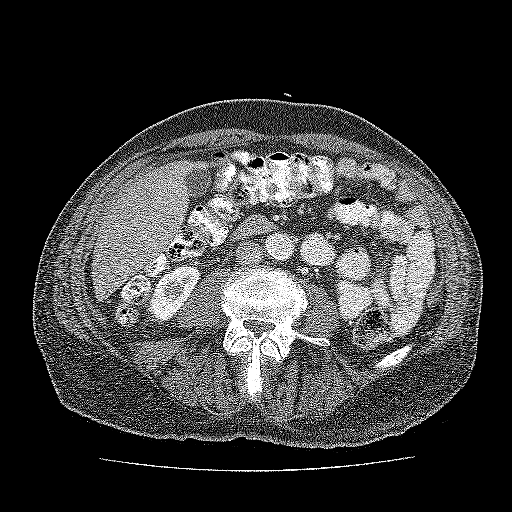
Contrast-enhanced abdominal CT, axial slice 78 of 137 (counted from the lowest slice); tube voltage 120 kVp, convolution kernel FC52; slices 3.00 mm thick, 0.741 mm per pixel.
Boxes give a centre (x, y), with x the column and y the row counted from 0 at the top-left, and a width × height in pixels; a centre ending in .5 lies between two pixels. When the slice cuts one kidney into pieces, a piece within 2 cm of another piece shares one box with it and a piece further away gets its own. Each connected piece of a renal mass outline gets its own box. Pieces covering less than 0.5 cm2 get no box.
Kidney, box centre (173.5, 292.5), 54 × 60 pixels (outlined area 2,080 px, about 11.4 cm2). No renal mass is outlined on this slice.